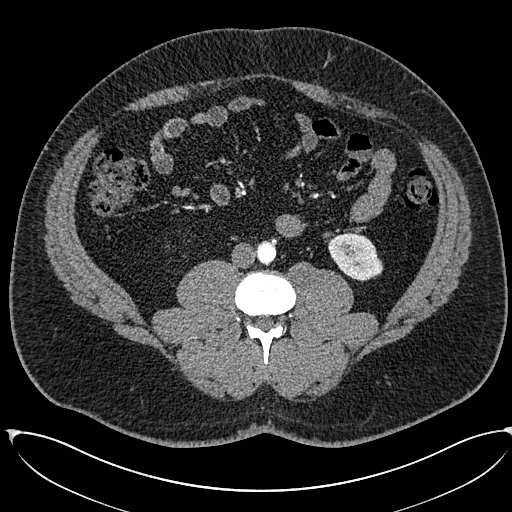
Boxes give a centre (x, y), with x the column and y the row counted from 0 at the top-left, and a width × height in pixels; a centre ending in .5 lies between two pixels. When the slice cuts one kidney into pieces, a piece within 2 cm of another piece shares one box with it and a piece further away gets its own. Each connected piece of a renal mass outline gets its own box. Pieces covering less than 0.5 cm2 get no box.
Arterial-phase contrast-enhanced abdominal CT, axial slice 242 of 673 (counted from the lowest slice); 1.00 mm thick, 0.855 mm per pixel. Left kidney in a box with centre (355.5, 256), 56 × 49 pixels (outlined area 1,924 px, about 14.1 cm2). No renal mass outline on this slice.
Tube voltage 120 kVp; convolution kernel I30f.